One axial slice (437 of 532, counting up from the lowest) of an arterial-phase abdominal CT acquired with 120 kVp, kernel B30f; each pixel is 0.713 mm and the slice is 1.00 mm thick.
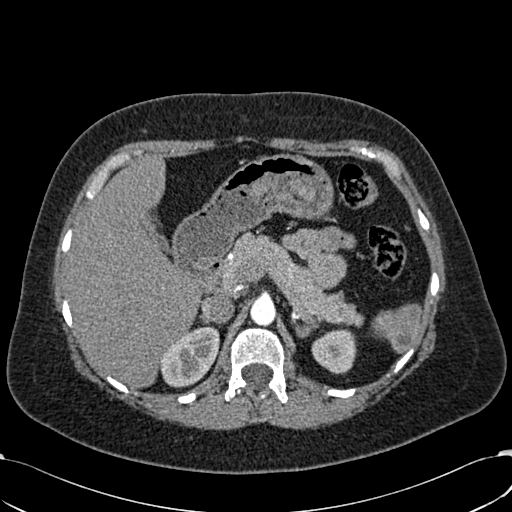
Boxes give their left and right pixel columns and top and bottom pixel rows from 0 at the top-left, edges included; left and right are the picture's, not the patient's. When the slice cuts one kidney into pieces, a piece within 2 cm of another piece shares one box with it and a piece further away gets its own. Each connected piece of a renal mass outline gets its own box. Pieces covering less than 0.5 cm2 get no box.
Two boxes on this slice (two kidney boxes), listed by box centre from the image's left to its right. (1) Right kidney in the box with left 160, top 326, right 219, bottom 387 (outlined area 2,642 px, about 13.4 cm2). (2) Left kidney in the box with left 311, top 329, right 356, bottom 374 (outlined area 1,569 px, about 8.0 cm2). This slice carries no renal mass outline.